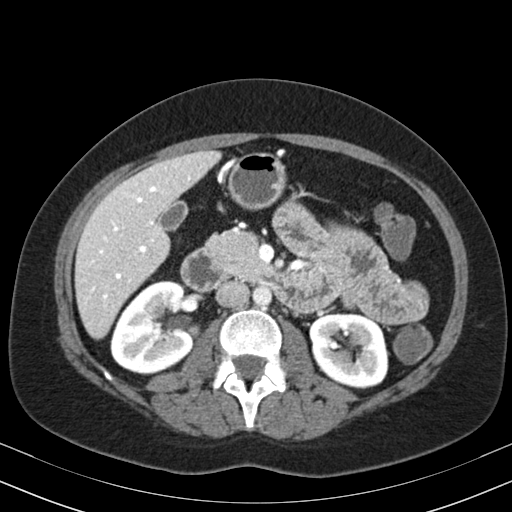
Abdominal CT with intravenous contrast, arterial phase, axial plane, 130 kVp, kernel B30s. Slice 109/164 from the bottom of the scan; thickness 3.00 mm; pixel size 0.664 mm.
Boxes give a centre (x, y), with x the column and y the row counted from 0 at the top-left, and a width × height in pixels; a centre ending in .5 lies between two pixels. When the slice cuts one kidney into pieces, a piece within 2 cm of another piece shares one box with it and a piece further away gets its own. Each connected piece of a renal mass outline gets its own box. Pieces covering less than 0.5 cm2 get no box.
Two boxes on this slice (two kidney boxes), listed by box centre from the image's left to its right. (1) Right kidney in a box with centre (151.5, 327), 84 × 95 pixels (outlined area 6,009 px, about 26.5 cm2). (2) Left kidney, box centre (348.5, 350), 80 × 77 pixels (outlined area 4,883 px, about 21.5 cm2). No renal mass outline on this slice.